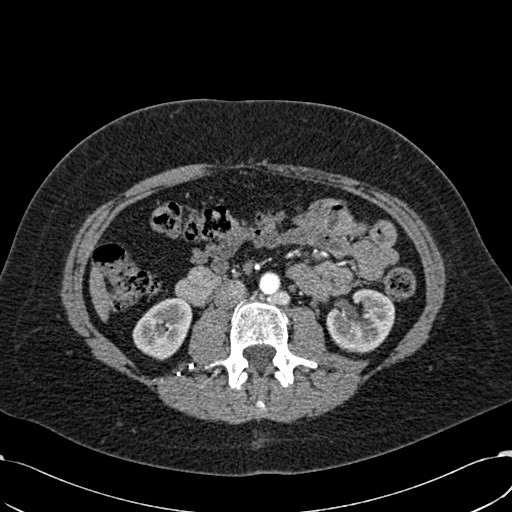
One axial slice (302 of 532, counting up from the lowest) of an arterial-phase abdominal CT acquired with 120 kVp, kernel B30f; each pixel is 0.713 mm and the slice is 1.00 mm thick.
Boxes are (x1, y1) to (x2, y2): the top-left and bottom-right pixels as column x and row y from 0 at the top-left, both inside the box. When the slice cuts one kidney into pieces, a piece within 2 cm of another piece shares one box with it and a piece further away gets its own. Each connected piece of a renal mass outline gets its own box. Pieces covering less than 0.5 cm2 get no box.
Two kidney boxes on this slice; by box centre, from the image's left to its right: (1) Right kidney from (132, 297) to (192, 360) (outlined area 2,683 px, about 13.6 cm2). (2) Box (326, 288) to (394, 353): left kidney (outlined area 3,262 px, about 16.6 cm2). This slice carries no renal mass outline.